Abdominal CT with intravenous contrast, arterial phase, axial plane, 100 kVp, kernel I41f. Slice 104/129 from the bottom of the scan; thickness 3.00 mm; pixel size 0.779 mm.
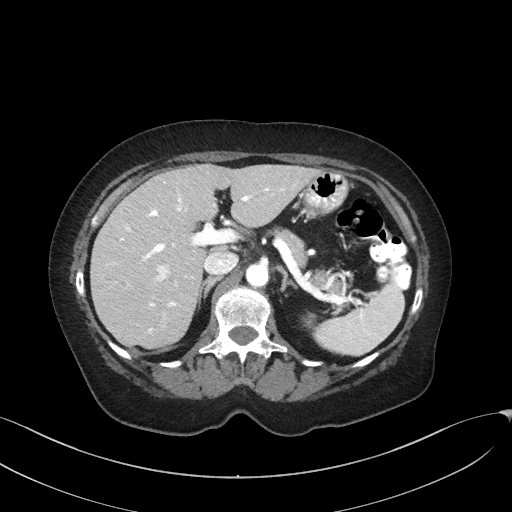
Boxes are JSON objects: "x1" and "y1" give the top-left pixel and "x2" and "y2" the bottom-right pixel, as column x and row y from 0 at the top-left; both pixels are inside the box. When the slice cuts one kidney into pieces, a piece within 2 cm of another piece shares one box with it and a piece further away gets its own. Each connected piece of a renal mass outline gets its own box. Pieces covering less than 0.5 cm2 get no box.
Left kidney at {"x1": 301, "y1": 312, "x2": 317, "y2": 329} (outlined area 209 px, about 1.3 cm2). No renal mass outline on this slice.